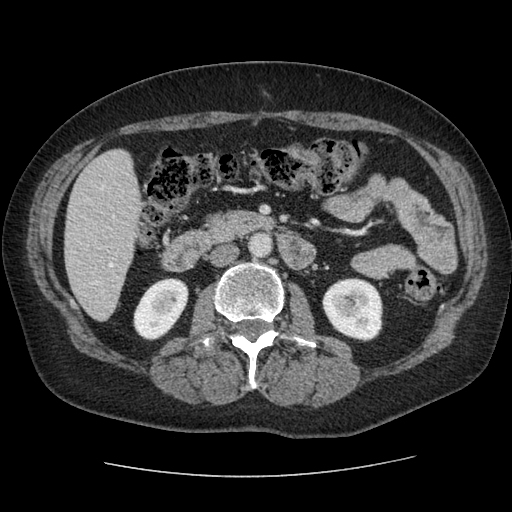
Abdominal CT with intravenous contrast, arterial phase, axial plane, 120 kVp, kernel STANDARD. Slice 38/96 from the bottom of the scan; thickness 2.50 mm; pixel size 0.689 mm.
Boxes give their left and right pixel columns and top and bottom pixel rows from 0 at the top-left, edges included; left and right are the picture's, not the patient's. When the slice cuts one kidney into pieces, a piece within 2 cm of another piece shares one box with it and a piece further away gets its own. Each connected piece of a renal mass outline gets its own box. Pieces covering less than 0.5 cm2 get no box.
Boxed on this slice (two kidney boxes), listed by box centre from the image's left to its right: (1) Right kidney in the box with left 133, top 277, right 187, bottom 340 (outlined area 2,479 px, about 11.8 cm2). (2) Left kidney in the box with left 322, top 277, right 383, bottom 340 (outlined area 3,051 px, about 14.5 cm2). No renal mass outline on this slice.